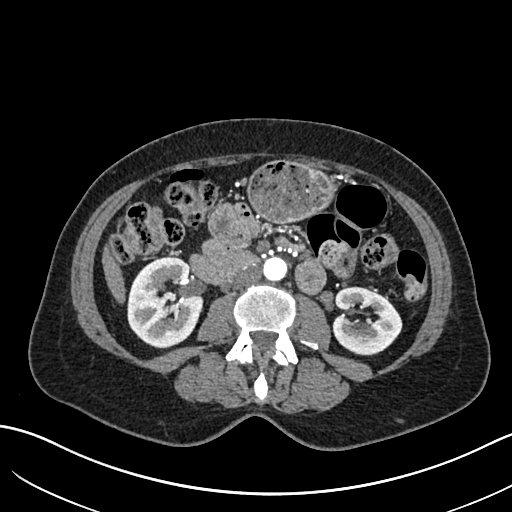
One axial slice (332 of 683, counting up from the lowest) of an arterial-phase abdominal CT acquired with 120 kVp, kernel I30f; each pixel is 0.738 mm and the slice is 1.00 mm thick.
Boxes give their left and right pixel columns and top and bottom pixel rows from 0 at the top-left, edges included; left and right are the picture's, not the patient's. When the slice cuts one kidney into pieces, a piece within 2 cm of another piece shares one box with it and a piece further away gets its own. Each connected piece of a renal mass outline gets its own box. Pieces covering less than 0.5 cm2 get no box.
Two boxes on this slice (two kidney boxes), listed by box centre from the image's left to its right. (1) Right kidney in the box with left 127, top 256, right 203, bottom 348 (outlined area 5,363 px, about 29.2 cm2). (2) Left kidney in the box with left 331, top 286, right 402, bottom 355 (outlined area 3,549 px, about 19.3 cm2). No renal mass is outlined on this slice.